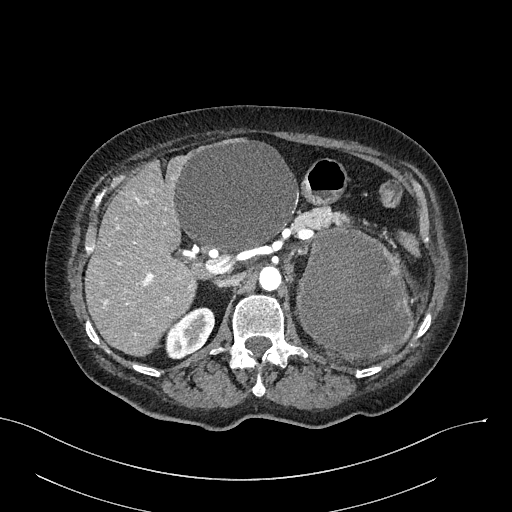
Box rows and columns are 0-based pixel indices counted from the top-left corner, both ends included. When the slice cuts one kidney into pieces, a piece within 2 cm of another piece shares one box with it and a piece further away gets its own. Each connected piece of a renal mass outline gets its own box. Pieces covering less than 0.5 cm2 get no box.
Arterial-phase contrast-enhanced abdominal CT, axial slice 173 of 316 (counted from the lowest slice); 2.00 mm thick, 0.840 mm per pixel. One kidney box and one renal mass box on this slice; by box centre, from the image's left to its right: (1) Right kidney at rows 307–359, columns 165–214 (outlined area 1,775 px, about 12.5 cm2). (2) Left renal mass at rows 227–358, columns 296–413 (outlined area 11,862 px, about 83.7 cm2); on this slice it lies more than 1 cm from any kidney outline, but the same outlined renal mass comes within 1 cm of the kidney on another slice.
Acquired at 100 kVp and reconstructed with the I40f kernel.